One axial slice (133 of 345, counting up from the lowest) of an arterial-phase abdominal CT acquired with 120 kVp, kernel I31f; each pixel is 0.977 mm and the slice is 2.00 mm thick.
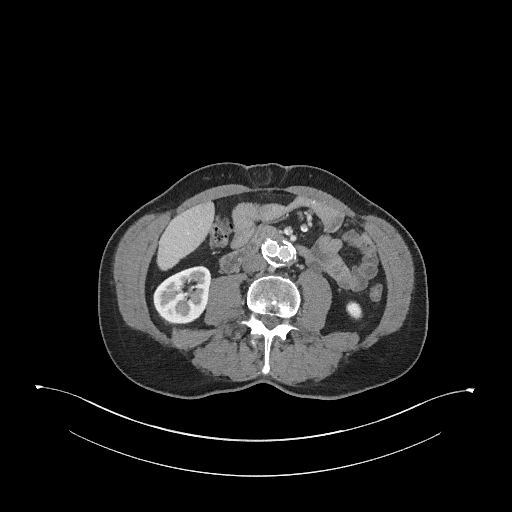
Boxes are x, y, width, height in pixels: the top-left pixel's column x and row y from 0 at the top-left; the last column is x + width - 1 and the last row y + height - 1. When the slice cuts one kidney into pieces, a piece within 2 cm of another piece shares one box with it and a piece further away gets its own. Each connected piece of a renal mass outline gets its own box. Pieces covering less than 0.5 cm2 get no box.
Boxed on this slice (two kidney boxes), listed by box centre from the image's left to its right: (1) Box x 153, y 265, width 59, height 60: right kidney (outlined area 2,590 px, about 24.7 cm2). (2) Left kidney, box x 346, y 300, width 17, height 20 (outlined area 250 px, about 2.4 cm2). This slice carries no renal mass outline.